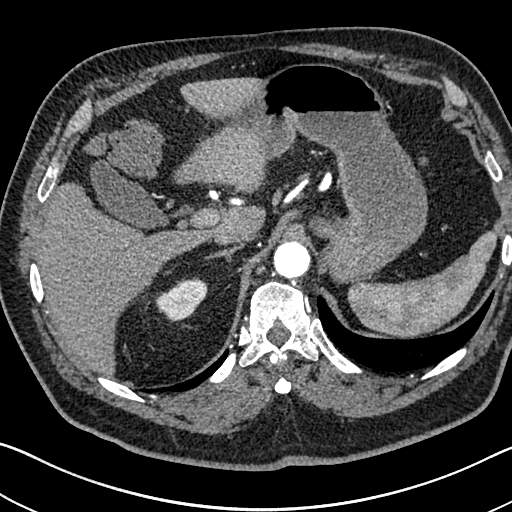
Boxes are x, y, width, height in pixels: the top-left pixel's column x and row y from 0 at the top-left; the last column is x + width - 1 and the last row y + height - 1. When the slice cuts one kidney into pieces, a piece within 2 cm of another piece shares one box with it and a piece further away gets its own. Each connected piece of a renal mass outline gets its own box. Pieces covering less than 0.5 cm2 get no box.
This is axial slice 552 of 705 (slice 1 is the lowest) of an arterial-phase abdominal CT with contrast; each pixel is 0.703 mm and the slice is 1.00 mm thick. Right kidney at x 155, y 277, width 53, height 46 (outlined area 1,537 px, about 7.6 cm2). No renal mass is outlined on this slice.
Tube voltage 120 kVp; convolution kernel I30f.